Arterial-phase contrast-enhanced abdominal CT, axial slice 330 of 673 (counted from the lowest slice); tube voltage 120 kVp, convolution kernel I30f; slices 1.00 mm thick, 0.855 mm per pixel.
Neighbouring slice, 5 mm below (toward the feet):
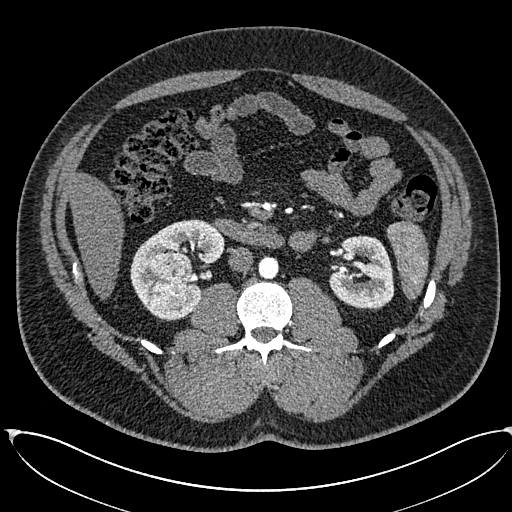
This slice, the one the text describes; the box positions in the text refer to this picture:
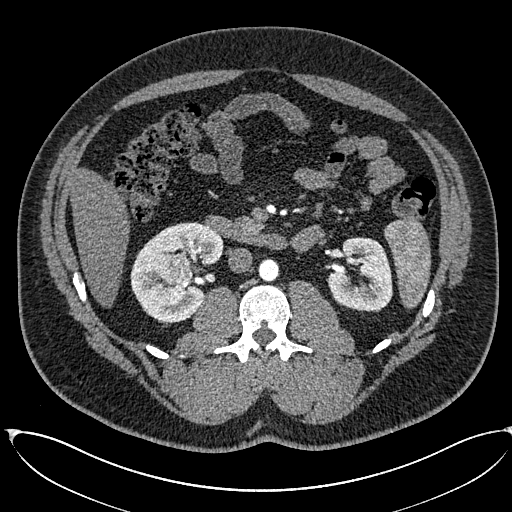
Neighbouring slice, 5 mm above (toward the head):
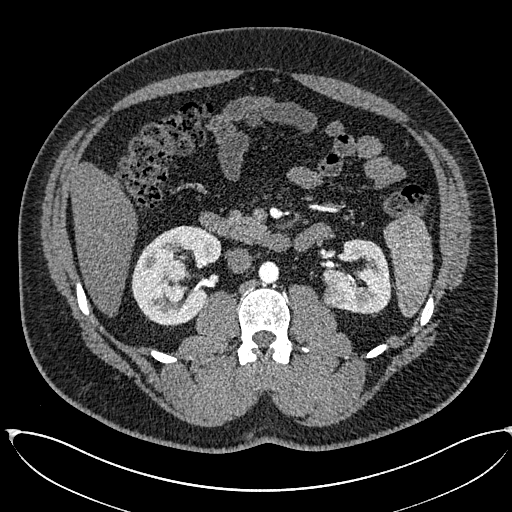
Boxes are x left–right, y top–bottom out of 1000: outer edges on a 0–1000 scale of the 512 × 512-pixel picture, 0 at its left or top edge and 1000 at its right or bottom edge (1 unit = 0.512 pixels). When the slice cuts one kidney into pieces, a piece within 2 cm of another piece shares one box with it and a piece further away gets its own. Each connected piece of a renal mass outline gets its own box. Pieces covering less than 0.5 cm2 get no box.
Boxed on this slice (two kidney boxes and two renal mass boxes), listed by box centre from the image's left to its right: (1) Right renal mass at x 305–377, y 496–598 out of 1000 (outlined area 1,505 px, about 11.0 cm2). (2) Right kidney, box x 254–438, y 434–633 out of 1000 (outlined area 5,227 px, about 38.3 cm2). (3) Left renal mass at x 648–676, y 570–598 out of 1000 (outlined area 128 px, about 0.9 cm2). (4) Box x 637–768, y 463–609 out of 1000: left kidney (outlined area 3,608 px, about 26.4 cm2). This slice lies near the end of the left renal mass toward the feet; the slices 5 mm below and 5 mm above it are shown too, and the boxes mark positions on this slice only.